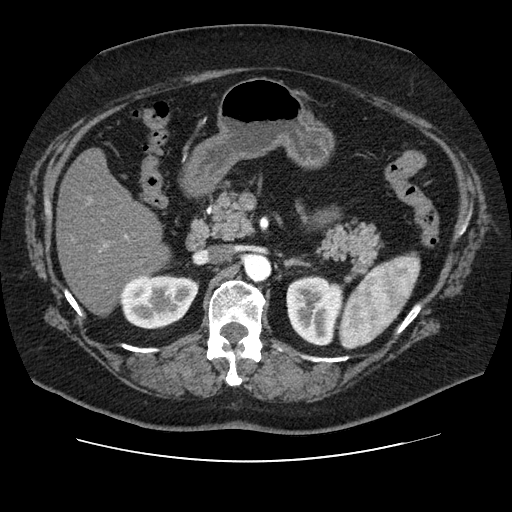
Arterial-phase contrast-enhanced abdominal CT, axial slice 65 of 106 (counted from the lowest slice); tube voltage 120 kVp, convolution kernel STANDARD; slices 2.50 mm thick, 0.742 mm per pixel.
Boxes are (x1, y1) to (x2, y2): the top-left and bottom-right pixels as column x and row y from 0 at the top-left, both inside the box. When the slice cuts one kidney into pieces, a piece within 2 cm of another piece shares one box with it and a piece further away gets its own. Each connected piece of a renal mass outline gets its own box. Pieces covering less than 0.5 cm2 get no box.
Two boxes on this slice (two kidney boxes), listed by box centre from the image's left to its right. (1) Right kidney from (120, 274) to (198, 329) (outlined area 3,422 px, about 18.8 cm2). (2) Box (286, 275) to (344, 345): left kidney (outlined area 3,194 px, about 17.6 cm2). No renal mass outline on this slice.